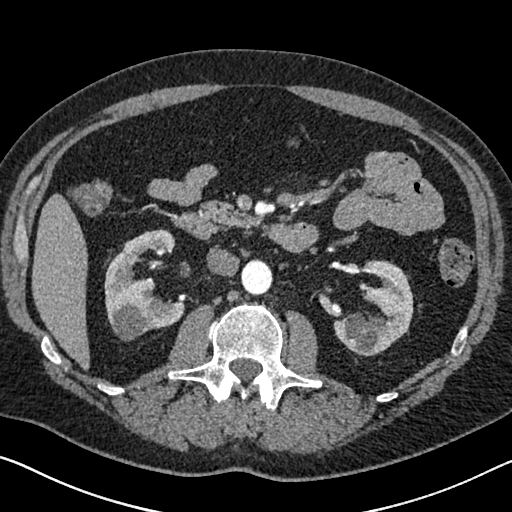
One axial slice (384 of 626, counting up from the lowest) of an arterial-phase abdominal CT acquired with 120 kVp, kernel I30f; each pixel is 0.703 mm and the slice is 1.00 mm thick.
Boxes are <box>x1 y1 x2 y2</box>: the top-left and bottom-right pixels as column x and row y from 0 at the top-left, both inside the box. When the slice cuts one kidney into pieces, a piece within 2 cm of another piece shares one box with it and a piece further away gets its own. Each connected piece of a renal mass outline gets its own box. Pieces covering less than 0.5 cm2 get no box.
Two kidney boxes on this slice; by box centre, from the image's left to its right: (1) Right kidney: <box>104 229 185 341</box> (outlined area 5,494 px, about 27.2 cm2). (2) Left kidney: <box>333 260 413 356</box> (outlined area 4,670 px, about 23.1 cm2). No renal mass is outlined on this slice.